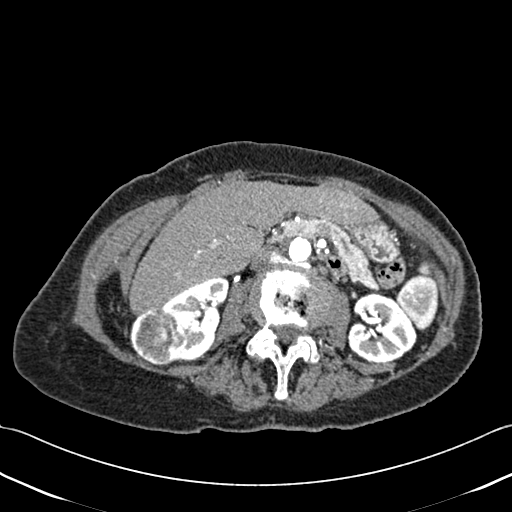
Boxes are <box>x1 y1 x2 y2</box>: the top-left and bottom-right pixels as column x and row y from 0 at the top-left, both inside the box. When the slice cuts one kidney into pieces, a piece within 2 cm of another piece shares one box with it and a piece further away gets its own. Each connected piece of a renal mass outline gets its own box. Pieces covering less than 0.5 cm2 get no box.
Slice 227/433 of a contrast-enhanced abdominal CT, counting up from the lowest; pixel size 0.672 mm, slice thickness 1.00 mm. Boxed on this slice (two kidney boxes and one renal mass box), listed by box centre from the image's left to its right: (1) Right renal mass at <box>130 306 185 365</box> (outlined area 2,485 px, about 11.2 cm2). (2) At <box>160 277 228 360</box>: right kidney (outlined area 3,168 px, about 14.3 cm2). (3) Left kidney at <box>345 292 416 363</box> (outlined area 3,689 px, about 16.7 cm2).
Acquired at 120 kVp and reconstructed with the B30f kernel.